Abdominal CT with intravenous contrast, arterial phase, axial plane, 120 kVp, kernel STANDARD. Slice 277/389 from the bottom of the scan; thickness 1.25 mm; pixel size 0.869 mm.
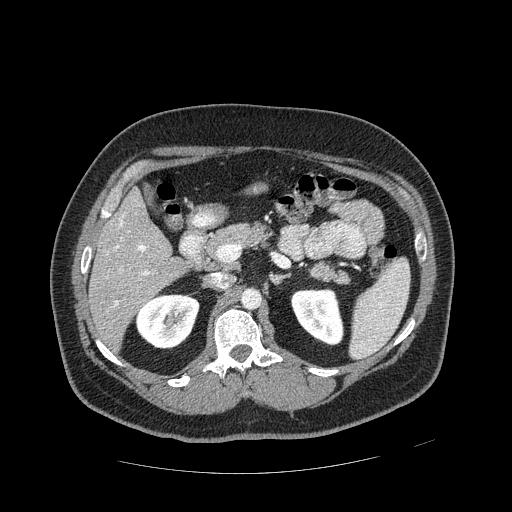
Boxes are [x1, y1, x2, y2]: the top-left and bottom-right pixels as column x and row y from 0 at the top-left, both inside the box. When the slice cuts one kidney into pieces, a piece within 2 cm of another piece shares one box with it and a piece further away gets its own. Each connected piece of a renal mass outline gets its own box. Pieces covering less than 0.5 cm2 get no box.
Boxed on this slice (two kidney boxes), listed by box centre from the image's left to its right: (1) Right kidney, box [134, 294, 199, 349] (outlined area 2,736 px, about 20.7 cm2). (2) Box [290, 288, 344, 345]: left kidney (outlined area 2,325 px, about 17.6 cm2). No renal mass is outlined on this slice.